One axial slice (45 of 76, counting up from the lowest) of a contrast-enhanced abdominal CT acquired with 100 kVp, kernel I40f; each pixel is 0.768 mm and the slice is 3.00 mm thick.
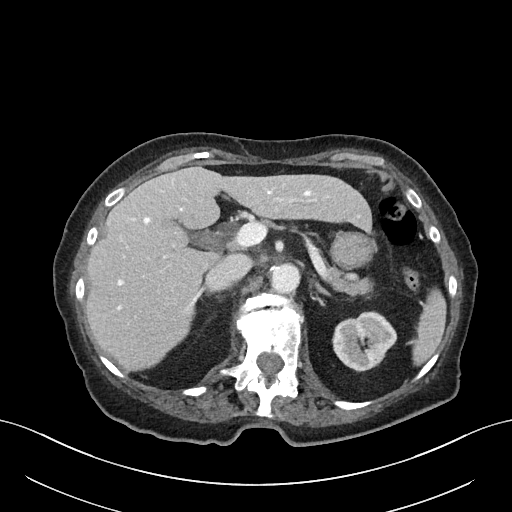
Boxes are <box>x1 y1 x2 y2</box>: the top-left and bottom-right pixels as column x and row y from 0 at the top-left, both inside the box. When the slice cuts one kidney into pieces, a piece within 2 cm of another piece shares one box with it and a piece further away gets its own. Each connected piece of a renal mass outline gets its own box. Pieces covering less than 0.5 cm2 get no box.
At <box>332 311 397 372</box>: left kidney (outlined area 2,871 px, about 16.9 cm2). No renal mass outline on this slice.